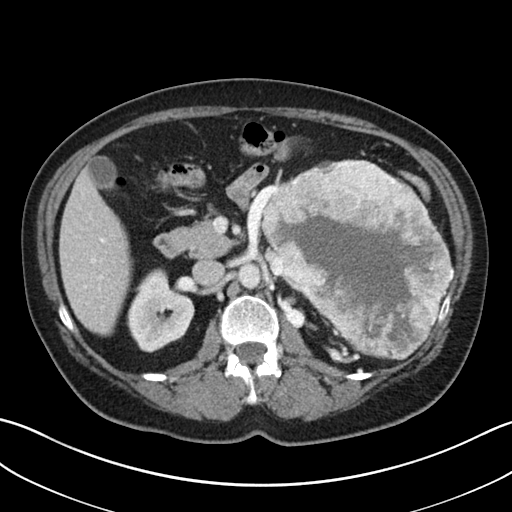
Abdominal CT with intravenous contrast, axial plane, 100 kVp, kernel I30f. Slice 21/38 from the bottom of the scan; thickness 5.00 mm; pixel size 0.730 mm.
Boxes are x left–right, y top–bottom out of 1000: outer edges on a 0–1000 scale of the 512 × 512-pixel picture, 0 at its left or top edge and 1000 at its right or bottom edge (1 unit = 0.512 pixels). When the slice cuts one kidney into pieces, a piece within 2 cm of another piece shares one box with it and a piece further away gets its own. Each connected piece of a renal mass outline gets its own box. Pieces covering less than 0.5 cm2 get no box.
Boxed on this slice (one kidney box and one renal mass box), listed by box centre from the image's left to its right: (1) Right kidney at x 246–381, y 523–689 out of 1000 (outlined area 3,806 px, about 20.3 cm2). (2) Box x 510–889, y 311–705 out of 1000: left renal mass (outlined area 26,588 px, about 141.9 cm2); it sits over 1 cm from every kidney outline on this slice, but the same outlined renal mass comes within 1 cm of the kidney on another slice.